Contrast-enhanced abdominal CT, axial slice 75 of 103 (counted from the lowest slice); tube voltage 100 kVp, convolution kernel I41f; slices 4.00 mm thick, 0.742 mm per pixel.
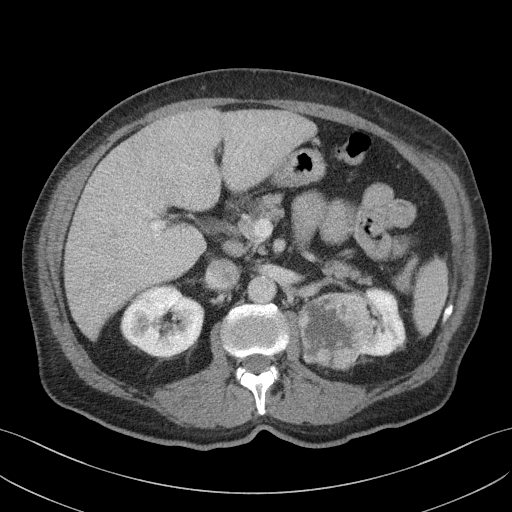
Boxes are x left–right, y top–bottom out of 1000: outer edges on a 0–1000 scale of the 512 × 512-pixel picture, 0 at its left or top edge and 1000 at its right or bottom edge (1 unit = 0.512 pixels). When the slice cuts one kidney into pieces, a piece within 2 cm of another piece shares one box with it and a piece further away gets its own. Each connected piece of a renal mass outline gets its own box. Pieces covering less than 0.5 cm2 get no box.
Boxed on this slice (two kidney boxes and one renal mass box), listed by box centre from the image's left to its right: (1) Right kidney, box x 234–400, y 553–697 out of 1000 (outlined area 4,580 px, about 25.2 cm2). (2) Left renal mass, box x 582–730, y 566–727 out of 1000 (outlined area 4,776 px, about 26.3 cm2). (3) Box x 682–793, y 561–697 out of 1000: left kidney (outlined area 2,180 px, about 12.0 cm2).